Arterial-phase contrast-enhanced abdominal CT, axial slice 37 of 70 (counted from the lowest slice); tube voltage 120 kVp, convolution kernel B30f; slices 5.00 mm thick, 0.977 mm per pixel.
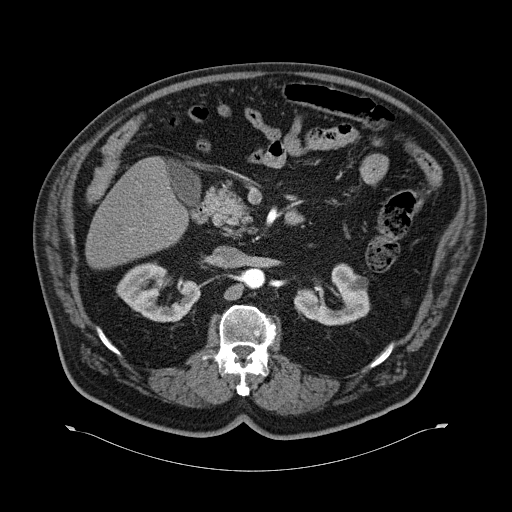
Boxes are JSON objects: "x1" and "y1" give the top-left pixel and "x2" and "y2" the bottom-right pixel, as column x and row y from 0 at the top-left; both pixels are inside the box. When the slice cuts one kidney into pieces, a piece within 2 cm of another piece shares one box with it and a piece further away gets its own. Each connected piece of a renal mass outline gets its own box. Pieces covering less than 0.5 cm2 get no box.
Boxed on this slice (two kidney boxes), listed by box centre from the image's left to its right: (1) Right kidney, box {"x1": 116, "y1": 263, "x2": 200, "y2": 322} (outlined area 3,034 px, about 28.9 cm2). (2) Left kidney, box {"x1": 294, "y1": 266, "x2": 370, "y2": 325} (outlined area 2,792 px, about 26.6 cm2). No renal mass is outlined on this slice.